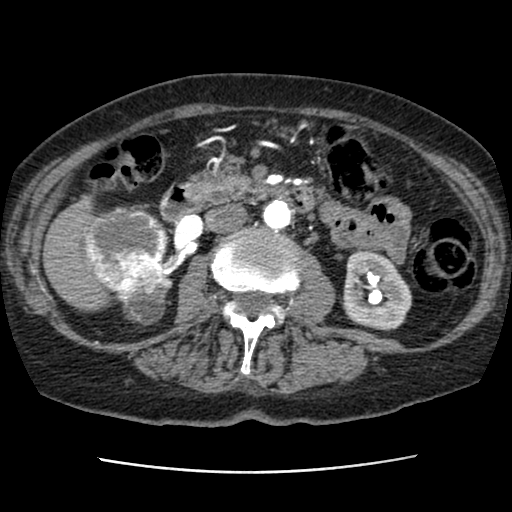
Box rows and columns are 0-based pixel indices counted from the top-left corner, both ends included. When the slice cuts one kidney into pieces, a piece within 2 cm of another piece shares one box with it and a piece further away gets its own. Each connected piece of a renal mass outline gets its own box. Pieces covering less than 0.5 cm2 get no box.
Slice 41/76 of a contrast-enhanced abdominal CT, counting up from the lowest; pixel size 0.586 mm, slice thickness 2.50 mm. Two kidney boxes and one renal mass box on this slice; by box centre, from the image's left to its right: (1) Right renal mass, box rows 204–285, columns 78–166 (outlined area 5,550 px, about 19.1 cm2). (2) Right kidney, box rows 264–325, columns 96–172 (outlined area 2,204 px, about 7.6 cm2). (3) Left kidney at rows 250–330, columns 342–412 (outlined area 4,369 px, about 15.0 cm2).
Acquired at 120 kVp and reconstructed with the STANDARD kernel.